Axial slice 91 of 164 of a contrast-enhanced abdominal CT in the arterial phase (slice 1 is the lowest), 130 kVp, kernel B30s; 3.00 mm slice thickness and 0.664 mm pixels.
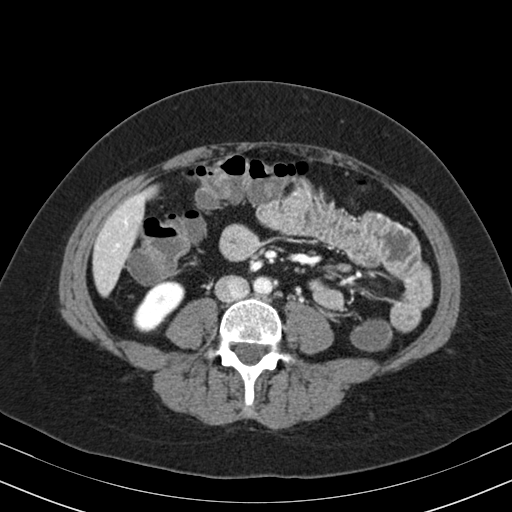
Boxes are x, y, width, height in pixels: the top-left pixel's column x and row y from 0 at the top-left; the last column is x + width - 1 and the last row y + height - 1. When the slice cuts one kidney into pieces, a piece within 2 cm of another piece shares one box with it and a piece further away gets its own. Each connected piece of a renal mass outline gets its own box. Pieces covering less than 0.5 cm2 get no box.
Right kidney, box x 133, y 280, width 53, height 53 (outlined area 1,733 px, about 7.6 cm2). No renal mass is outlined on this slice.